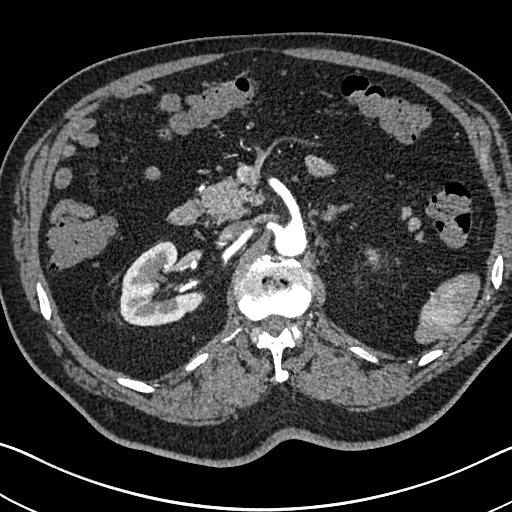
Arterial-phase contrast-enhanced abdominal CT, axial slice 467 of 705 (counted from the lowest slice); tube voltage 120 kVp, convolution kernel I30f; slices 1.00 mm thick, 0.703 mm per pixel.
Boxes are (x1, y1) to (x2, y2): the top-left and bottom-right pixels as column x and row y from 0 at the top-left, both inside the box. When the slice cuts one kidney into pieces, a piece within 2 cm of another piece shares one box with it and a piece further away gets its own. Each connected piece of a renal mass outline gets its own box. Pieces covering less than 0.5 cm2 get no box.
Two boxes on this slice (two kidney boxes), listed by box centre from the image's left to its right. (1) Right kidney from (119, 241) to (202, 326) (outlined area 4,697 px, about 23.2 cm2). (2) Left kidney from (364, 248) to (376, 266) (outlined area 159 px, about 0.8 cm2). No renal mass outline on this slice.